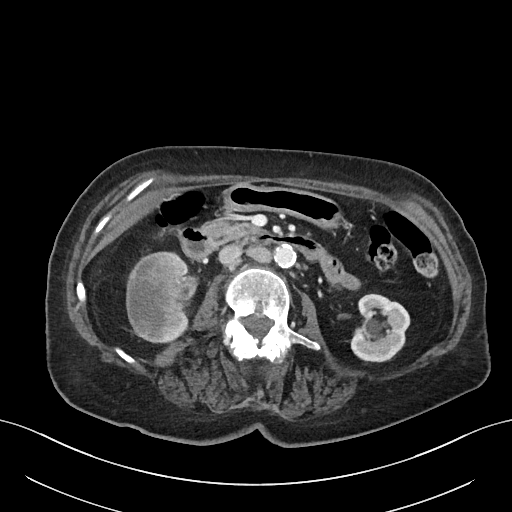
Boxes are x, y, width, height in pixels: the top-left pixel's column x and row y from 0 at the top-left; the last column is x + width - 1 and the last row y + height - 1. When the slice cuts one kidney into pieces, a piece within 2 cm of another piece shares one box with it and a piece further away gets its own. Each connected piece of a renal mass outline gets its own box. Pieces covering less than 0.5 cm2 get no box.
Slice 28/76 of a contrast-enhanced abdominal CT, counting up from the lowest; pixel size 0.768 mm, slice thickness 3.00 mm. Three boxes on this slice (two kidney boxes and one renal mass box), listed by box centre from the image's left to its right. (1) Right renal mass at x 126, y 251, width 60, height 93 (outlined area 4,447 px, about 26.2 cm2). (2) Box x 164, y 252, width 26, height 92: right kidney (outlined area 572 px, about 3.4 cm2). (3) Left kidney, box x 349, y 293, width 62, height 70 (outlined area 3,053 px, about 18.0 cm2).
Tube voltage 100 kVp; convolution kernel I40f.